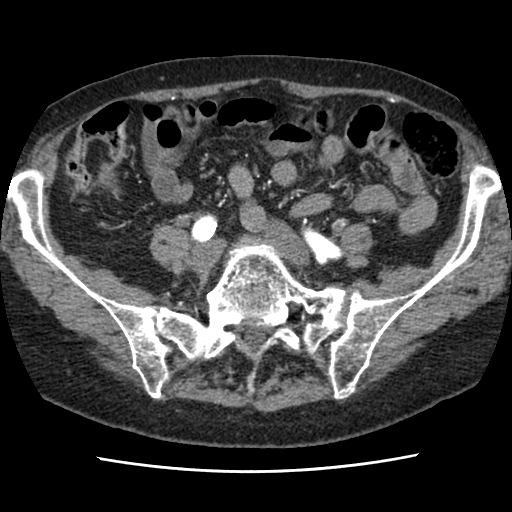
Axial slice 5 of 76 of a contrast-enhanced abdominal CT (slice 1 is the lowest), 120 kVp, kernel STANDARD; 2.50 mm slice thickness and 0.586 mm pixels.
No kidney and no renal mass is outlined on this slice; the outlines in this scan cover only the kidneys and the renal masses, so nothing is said about any other organ.